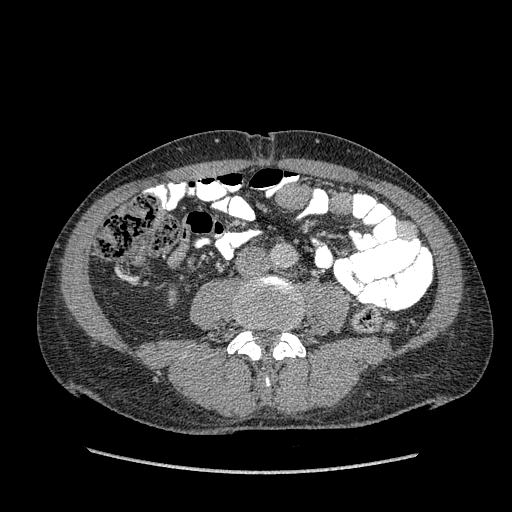
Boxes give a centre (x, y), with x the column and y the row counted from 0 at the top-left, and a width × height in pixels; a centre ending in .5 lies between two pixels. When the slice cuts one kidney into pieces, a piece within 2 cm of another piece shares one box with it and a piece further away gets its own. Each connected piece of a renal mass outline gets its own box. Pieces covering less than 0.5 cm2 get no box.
Slice 154/349 of a contrast-enhanced abdominal CT in the arterial phase, counting up from the lowest; pixel size 0.742 mm, slice thickness 1.25 mm. Right kidney in a box with centre (172, 297), 9 × 13 pixels (outlined area 97 px, about 0.5 cm2). No renal mass outline on this slice.
Tube voltage 120 kVp; convolution kernel STANDARD.